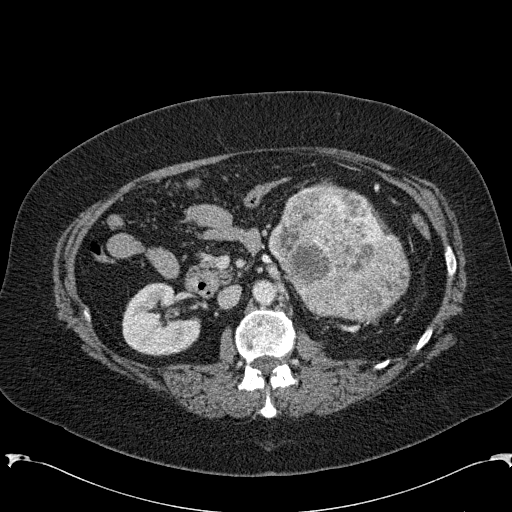
Arterial-phase contrast-enhanced abdominal CT, axial slice 129 of 285 (counted from the lowest slice); tube voltage 120 kVp, convolution kernel B31f; slices 2.00 mm thick, 0.762 mm per pixel.
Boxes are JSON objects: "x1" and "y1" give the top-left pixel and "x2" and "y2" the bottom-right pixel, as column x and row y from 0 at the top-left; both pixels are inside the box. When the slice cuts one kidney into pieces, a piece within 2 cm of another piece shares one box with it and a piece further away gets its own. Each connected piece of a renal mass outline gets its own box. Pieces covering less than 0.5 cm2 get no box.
One kidney box and one renal mass box on this slice; by box centre, from the image's left to its right: (1) Box {"x1": 122, "y1": 282, "x2": 200, "y2": 356}: right kidney (outlined area 4,203 px, about 24.4 cm2). (2) Left renal mass, box {"x1": 268, "y1": 179, "x2": 410, "y2": 320} (outlined area 14,091 px, about 81.8 cm2); it sits over 1 cm from every kidney outline on this slice, but the same outlined renal mass comes within 1 cm of the kidney on another slice.